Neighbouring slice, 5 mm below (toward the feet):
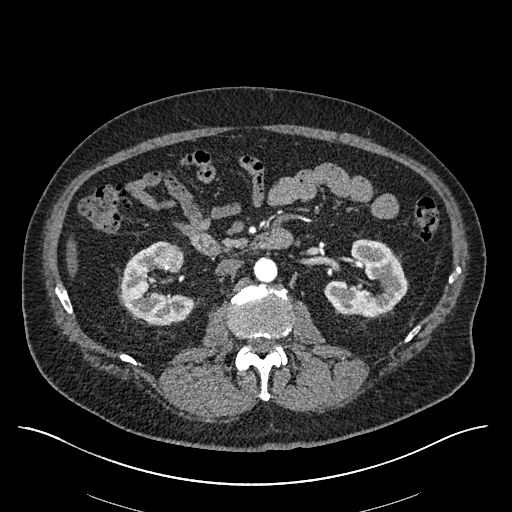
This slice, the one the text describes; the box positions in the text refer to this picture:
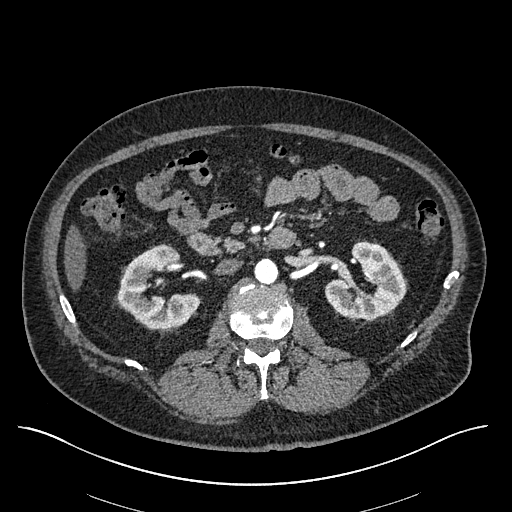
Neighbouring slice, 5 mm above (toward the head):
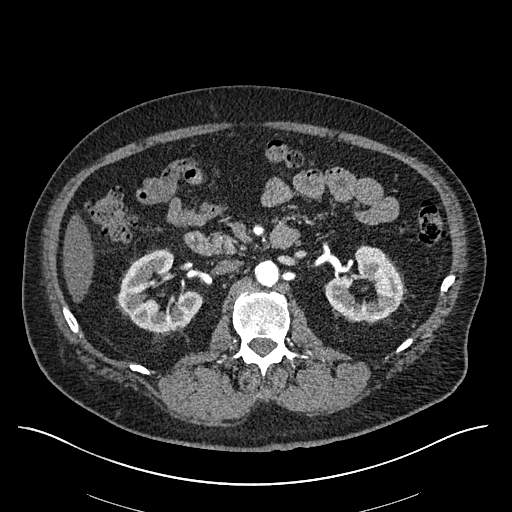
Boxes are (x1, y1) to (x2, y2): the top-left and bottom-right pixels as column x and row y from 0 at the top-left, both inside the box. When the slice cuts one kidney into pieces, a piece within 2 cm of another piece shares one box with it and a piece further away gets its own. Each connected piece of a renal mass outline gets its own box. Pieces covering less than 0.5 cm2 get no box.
Arterial-phase contrast-enhanced abdominal CT, axial slice 330 of 670 (counted from the lowest slice); 1.00 mm thick, 0.861 mm per pixel. Three boxes on this slice (two kidney boxes and one renal mass box), listed by box centre from the image's left to its right. (1) Right kidney from (117, 243) to (199, 329) (outlined area 4,065 px, about 30.2 cm2). (2) Box (163, 246) to (181, 262): right renal mass (outlined area 236 px, about 1.8 cm2). (3) Box (324, 241) to (406, 319): left kidney (outlined area 4,236 px, about 31.4 cm2). This slice is near the end of the right renal mass toward the head, so the slices 5 mm below and 5 mm above it are shown as well; the boxes refer to this slice only.
Scan settings: 120 kVp, I30f reconstruction kernel.